Arterial-phase contrast-enhanced abdominal CT, axial slice 67 of 117 (counted from the lowest slice); tube voltage 120 kVp, convolution kernel FC12; slices 3.00 mm thick, 0.518 mm per pixel.
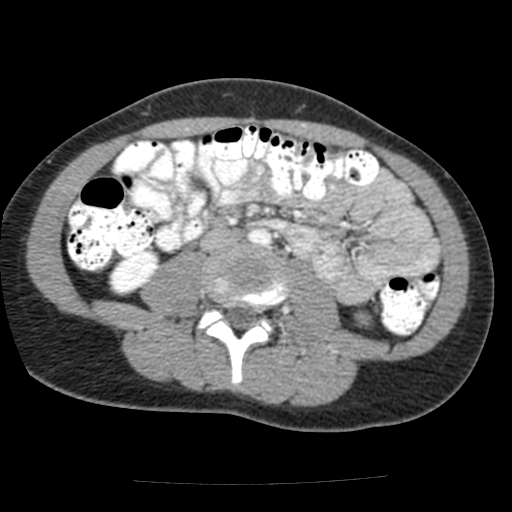
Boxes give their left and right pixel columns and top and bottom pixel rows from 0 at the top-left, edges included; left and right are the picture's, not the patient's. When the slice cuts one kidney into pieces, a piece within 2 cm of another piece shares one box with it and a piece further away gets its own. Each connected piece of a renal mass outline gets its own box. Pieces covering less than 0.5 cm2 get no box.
Two kidney boxes on this slice; by box centre, from the image's left to its right: (1) Box with left 107, top 249, right 159, bottom 296: right kidney (outlined area 1,666 px, about 4.5 cm2). (2) Left kidney, the box with left 353, top 309, right 373, bottom 328 (outlined area 305 px, about 0.8 cm2). This slice carries no renal mass outline.